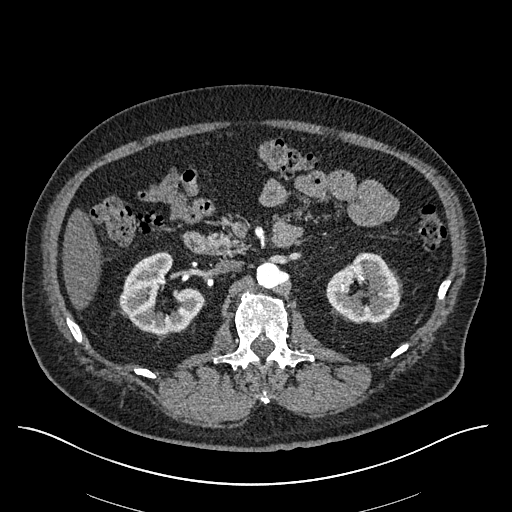
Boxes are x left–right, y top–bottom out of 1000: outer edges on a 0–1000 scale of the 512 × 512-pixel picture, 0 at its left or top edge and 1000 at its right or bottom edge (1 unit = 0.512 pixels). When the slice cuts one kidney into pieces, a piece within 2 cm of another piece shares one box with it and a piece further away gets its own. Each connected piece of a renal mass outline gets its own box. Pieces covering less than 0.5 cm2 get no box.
Slice 349/670 of a contrast-enhanced abdominal CT in the arterial phase, counting up from the lowest; pixel size 0.861 mm, slice thickness 1.00 mm. Boxed on this slice (two kidney boxes), listed by box centre from the image's left to its right: (1) Right kidney at x 232–400, y 492–654 out of 1000 (outlined area 4,278 px, about 31.7 cm2). (2) Box x 637–787, y 492–633 out of 1000: left kidney (outlined area 3,801 px, about 28.2 cm2). No renal mass outline on this slice.
Tube voltage 120 kVp; convolution kernel I30f.